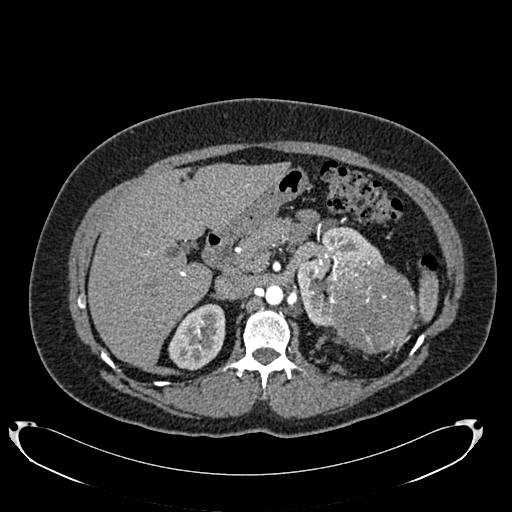
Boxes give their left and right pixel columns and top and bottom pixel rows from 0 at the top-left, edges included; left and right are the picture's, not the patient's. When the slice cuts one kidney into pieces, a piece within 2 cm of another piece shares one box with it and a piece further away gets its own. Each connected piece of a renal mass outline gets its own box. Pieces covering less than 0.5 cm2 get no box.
This is axial slice 494 of 634 (slice 1 is the lowest) of an arterial-phase abdominal CT with contrast; each pixel is 0.838 mm and the slice is 1.00 mm thick. Three boxes on this slice (two kidney boxes and one renal mass box), listed by box centre from the image's left to its right. (1) Right kidney in the box with left 168, top 303, right 225, bottom 370 (outlined area 2,800 px, about 19.7 cm2). (2) Box with left 297, top 226, right 383, bottom 326: left kidney (outlined area 3,701 px, about 26.0 cm2). (3) Left renal mass in the box with left 325, top 258, right 417, bottom 353 (outlined area 6,731 px, about 47.3 cm2).
Tube voltage 120 kVp; convolution kernel B20f.